One axial slice (557 of 987, counting up from the lowest) of an arterial-phase abdominal CT acquired with 120 kVp, kernel I26f; each pixel is 0.977 mm and the slice is 1.00 mm thick.
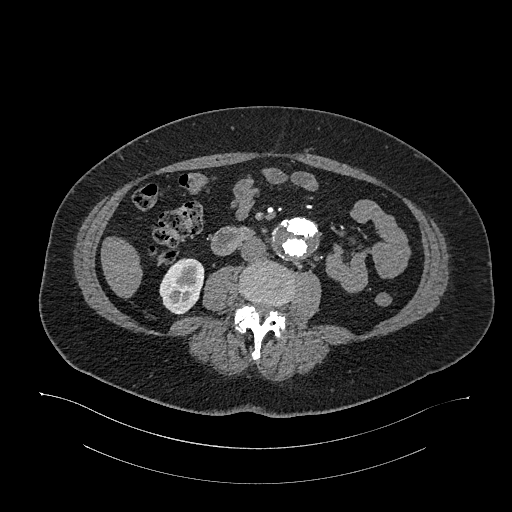
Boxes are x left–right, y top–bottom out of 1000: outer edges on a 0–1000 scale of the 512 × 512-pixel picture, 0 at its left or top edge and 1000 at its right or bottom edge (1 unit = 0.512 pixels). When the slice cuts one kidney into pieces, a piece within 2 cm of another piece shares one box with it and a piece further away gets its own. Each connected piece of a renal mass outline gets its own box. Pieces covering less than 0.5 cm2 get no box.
Right kidney, box x 311–400, y 504–615 out of 1000 (outlined area 1,928 px, about 18.4 cm2). No renal mass is outlined on this slice.